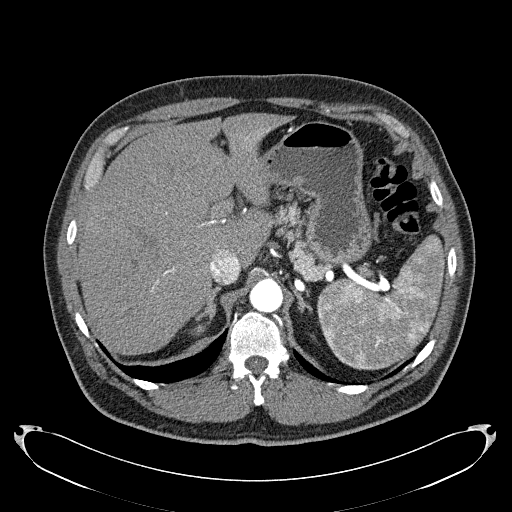
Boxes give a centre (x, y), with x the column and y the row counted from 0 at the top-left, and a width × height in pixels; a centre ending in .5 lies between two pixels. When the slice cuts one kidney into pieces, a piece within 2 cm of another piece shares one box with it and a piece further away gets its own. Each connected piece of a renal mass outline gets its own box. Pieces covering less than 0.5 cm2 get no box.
This is axial slice 177 of 279 (slice 1 is the lowest) of an arterial-phase abdominal CT with contrast; each pixel is 0.824 mm and the slice is 2.00 mm thick. Right kidney, box centre (197, 330), 15 × 11 pixels (outlined area 119 px, about 0.8 cm2). No renal mass is outlined on this slice.
Scan settings: 120 kVp, B31f reconstruction kernel.